One axial slice (422 of 626, counting up from the lowest) of an arterial-phase abdominal CT acquired with 120 kVp, kernel I30f; each pixel is 0.703 mm and the slice is 1.00 mm thick.
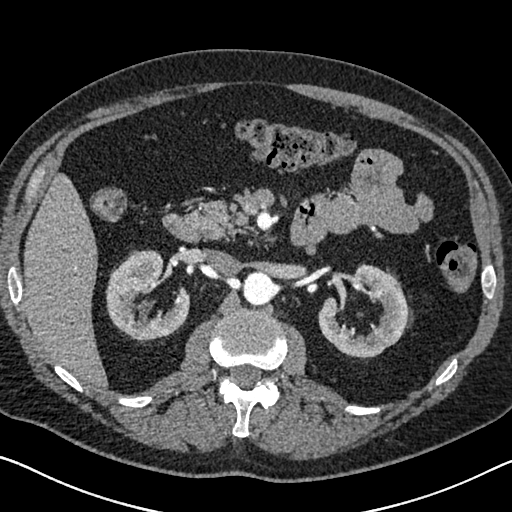
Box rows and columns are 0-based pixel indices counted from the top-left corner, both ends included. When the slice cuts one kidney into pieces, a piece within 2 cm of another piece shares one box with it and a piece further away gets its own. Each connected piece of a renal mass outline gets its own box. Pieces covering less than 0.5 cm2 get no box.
Boxed on this slice (two kidney boxes), listed by box centre from the image's left to its right: (1) Right kidney, box rows 250–341, columns 105–190 (outlined area 4,982 px, about 24.6 cm2). (2) Box rows 264–357, columns 318–407: left kidney (outlined area 4,864 px, about 24.0 cm2). No renal mass is outlined on this slice.